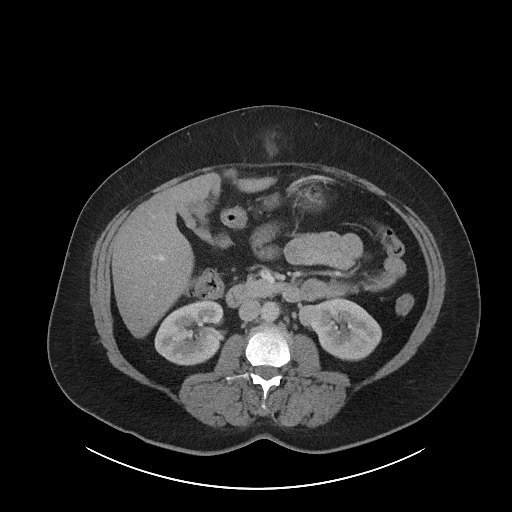
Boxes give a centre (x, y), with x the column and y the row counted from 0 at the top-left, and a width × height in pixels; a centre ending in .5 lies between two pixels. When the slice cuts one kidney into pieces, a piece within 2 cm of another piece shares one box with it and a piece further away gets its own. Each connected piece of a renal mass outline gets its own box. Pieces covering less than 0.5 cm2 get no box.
This is axial slice 51 of 86 (slice 1 is the lowest) of an arterial-phase abdominal CT with contrast; each pixel is 0.977 mm and the slice is 5.00 mm thick. Three boxes on this slice (two kidney boxes and one renal mass box), listed by box centre from the image's left to its right. (1) Right kidney in a box with centre (188.5, 332), 70 × 67 pixels (outlined area 3,508 px, about 33.5 cm2). (2) Box centre (310, 315), 23 × 23 pixels: left renal mass (outlined area 414 px, about 3.9 cm2). (3) Left kidney, box centre (345, 329), 73 × 63 pixels (outlined area 3,134 px, about 29.9 cm2).
Scan settings: 120 kVp, I40f reconstruction kernel.